Arterial-phase contrast-enhanced abdominal CT, axial slice 69 of 261 (counted from the lowest slice); tube voltage 120 kVp, convolution kernel I30f; slices 2.00 mm thick, 0.939 mm per pixel.
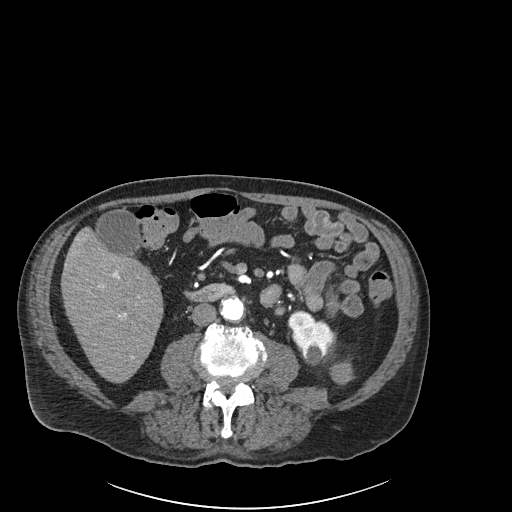
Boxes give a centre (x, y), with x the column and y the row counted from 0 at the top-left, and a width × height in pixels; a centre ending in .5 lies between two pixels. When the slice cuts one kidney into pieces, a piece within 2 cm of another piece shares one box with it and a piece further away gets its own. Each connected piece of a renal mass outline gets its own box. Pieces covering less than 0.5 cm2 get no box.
Boxed on this slice (one kidney box and one renal mass box), listed by box centre from the image's left to its right: (1) Left kidney, box centre (311.5, 338), 48 × 55 pixels (outlined area 1,688 px, about 14.9 cm2). (2) Box centre (341.5, 373), 24 × 23 pixels: left renal mass (outlined area 435 px, about 3.8 cm2); here it is more than 1 cm from any kidney outline, though on another slice the same outlined renal mass lies within 1 cm of the kidney.